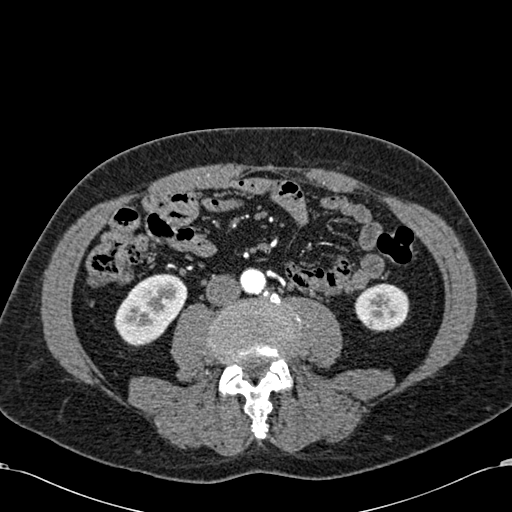
Arterial-phase contrast-enhanced abdominal CT, axial slice 233 of 581 (counted from the lowest slice); tube voltage 120 kVp, convolution kernel B30f; slices 1.00 mm thick, 0.713 mm per pixel.
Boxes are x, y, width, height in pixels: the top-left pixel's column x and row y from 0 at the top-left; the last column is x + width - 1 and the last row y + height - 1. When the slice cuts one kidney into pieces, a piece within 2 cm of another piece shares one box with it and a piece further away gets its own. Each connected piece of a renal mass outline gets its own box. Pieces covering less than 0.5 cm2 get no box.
Boxed on this slice (two kidney boxes), listed by box centre from the image's left to its right: (1) Right kidney at x 114, y 273, width 74, height 74 (outlined area 3,664 px, about 18.6 cm2). (2) Left kidney, box x 354, y 283, width 56, height 49 (outlined area 2,096 px, about 10.7 cm2). This slice carries no renal mass outline.